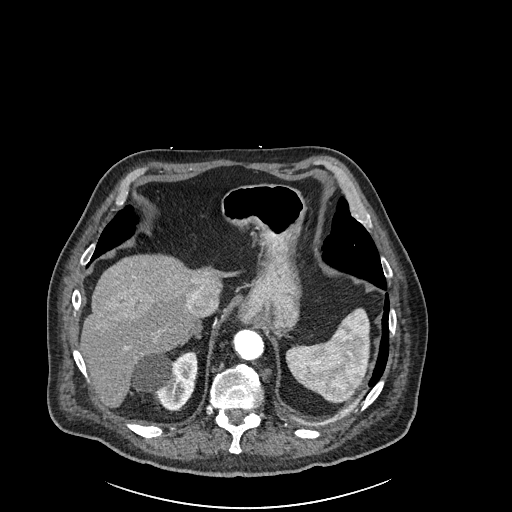
Abdominal CT with intravenous contrast, arterial phase, axial plane, 120 kVp, kernel I30f. Slice 200/261 from the bottom of the scan; thickness 2.00 mm; pixel size 0.939 mm.
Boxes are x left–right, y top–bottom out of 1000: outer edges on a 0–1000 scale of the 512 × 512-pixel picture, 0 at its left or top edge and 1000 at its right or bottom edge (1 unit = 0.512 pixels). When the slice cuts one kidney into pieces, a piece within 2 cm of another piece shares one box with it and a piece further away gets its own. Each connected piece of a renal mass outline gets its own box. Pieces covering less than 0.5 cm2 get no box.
Right kidney at x 254–387, y 686–803 out of 1000 (outlined area 2,837 px, about 25.0 cm2). No renal mass outline on this slice.